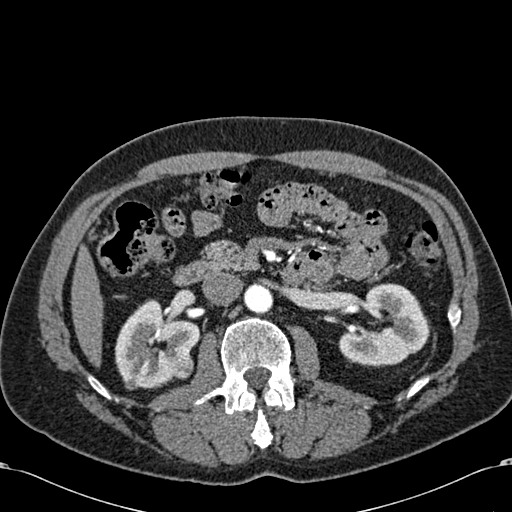
Axial slice 356 of 581 of a contrast-enhanced abdominal CT in the arterial phase (slice 1 is the lowest), 120 kVp, kernel B30f; 1.00 mm slice thickness and 0.713 mm pixels.
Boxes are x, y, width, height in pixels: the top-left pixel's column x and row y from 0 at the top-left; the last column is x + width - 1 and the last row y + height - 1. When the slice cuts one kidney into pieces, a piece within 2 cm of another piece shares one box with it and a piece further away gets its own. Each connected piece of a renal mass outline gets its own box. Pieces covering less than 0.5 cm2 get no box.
Three boxes on this slice (two kidney boxes and one renal mass box), listed by box centre from the image's left to its right. (1) Box x 115, y 299, width 85, height 90: right kidney (outlined area 5,024 px, about 25.5 cm2). (2) Right renal mass, box x 167, y 353, width 27, height 27 (outlined area 575 px, about 2.9 cm2). (3) Box x 338, y 283, width 92, height 85: left kidney (outlined area 5,125 px, about 26.0 cm2).